One axial slice (233 of 389, counting up from the lowest) of an arterial-phase abdominal CT acquired with 120 kVp, kernel STANDARD; each pixel is 0.869 mm and the slice is 1.25 mm thick.
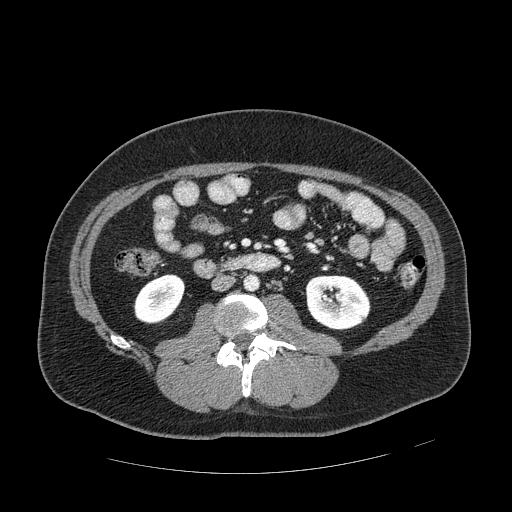
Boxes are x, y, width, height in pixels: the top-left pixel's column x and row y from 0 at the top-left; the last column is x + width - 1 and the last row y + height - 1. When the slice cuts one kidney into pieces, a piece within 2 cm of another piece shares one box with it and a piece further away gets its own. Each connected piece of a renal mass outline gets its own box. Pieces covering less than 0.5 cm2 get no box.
Two boxes on this slice (two kidney boxes), listed by box centre from the image's left to its right. (1) Right kidney, box x 133, y 274, width 52, height 50 (outlined area 1,899 px, about 14.3 cm2). (2) Left kidney at x 305, y 275, width 66, height 56 (outlined area 2,930 px, about 22.1 cm2). No renal mass is outlined on this slice.